Abdominal CT with intravenous contrast, arterial phase, axial plane, 120 kVp, kernel I30f. Slice 193/527 from the bottom of the scan; thickness 1.00 mm; pixel size 0.859 mm.
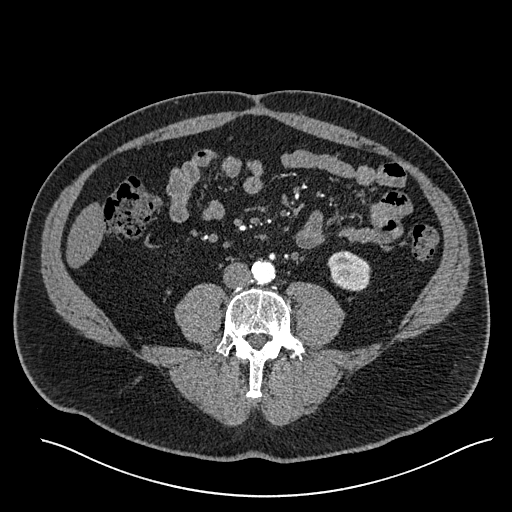
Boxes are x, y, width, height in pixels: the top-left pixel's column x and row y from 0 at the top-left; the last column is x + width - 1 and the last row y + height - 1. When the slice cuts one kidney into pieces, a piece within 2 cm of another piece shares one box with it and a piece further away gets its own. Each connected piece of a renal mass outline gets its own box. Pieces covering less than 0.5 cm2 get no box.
Left kidney at x 327, y 250, width 45, height 42 (outlined area 1,372 px, about 10.1 cm2). This slice carries no renal mass outline.